Abdominal CT with intravenous contrast, arterial phase, axial plane, 100 kVp, kernel I31f. Slice 99/195 from the bottom of the scan; thickness 1.50 mm; pixel size 0.707 mm.
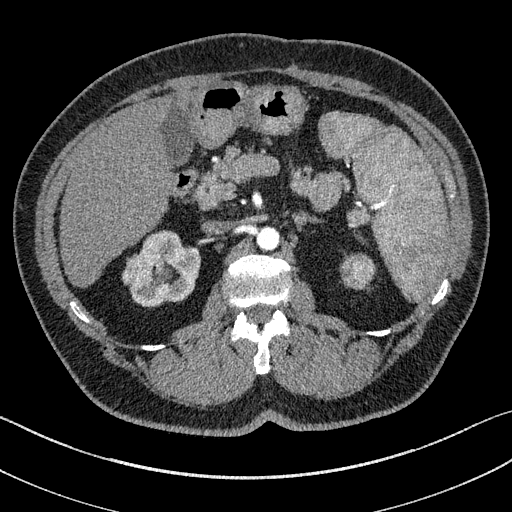
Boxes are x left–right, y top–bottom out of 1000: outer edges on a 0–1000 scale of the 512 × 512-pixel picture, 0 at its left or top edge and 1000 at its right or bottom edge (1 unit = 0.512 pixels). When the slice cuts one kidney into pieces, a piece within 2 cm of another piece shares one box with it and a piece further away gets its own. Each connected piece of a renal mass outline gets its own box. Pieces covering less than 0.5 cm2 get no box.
One kidney box and one renal mass box on this slice; by box centre, from the image's left to its right: (1) Right kidney, box x 238–393, y 451–600 out of 1000 (outlined area 4,207 px, about 21.0 cm2). (2) Left renal mass, box x 666–734, y 496–566 out of 1000 (outlined area 974 px, about 4.9 cm2); on this slice it lies more than 1 cm from any kidney outline, but the same outlined renal mass comes within 1 cm of the kidney on another slice.